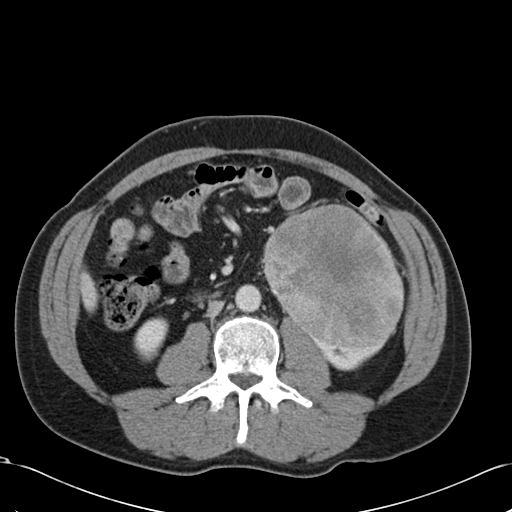
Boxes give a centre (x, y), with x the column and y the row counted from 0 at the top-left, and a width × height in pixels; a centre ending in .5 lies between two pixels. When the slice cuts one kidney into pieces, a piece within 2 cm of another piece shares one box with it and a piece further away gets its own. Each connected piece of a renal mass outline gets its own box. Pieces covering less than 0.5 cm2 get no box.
This is axial slice 56 of 99 (slice 1 is the lowest) of an arterial-phase abdominal CT with contrast; each pixel is 0.693 mm and the slice is 5.00 mm thick. Boxed on this slice (two kidney boxes and one renal mass box), listed by box centre from the image's left to its right: (1) Right kidney, box centre (151, 339), 35 × 45 pixels (outlined area 1,100 px, about 5.3 cm2). (2) Left renal mass in a box with centre (333.5, 275.5), 142 × 144 pixels (outlined area 15,355 px, about 73.8 cm2). (3) Box centre (345, 352.5), 77 × 36 pixels: left kidney (outlined area 1,132 px, about 5.4 cm2).
Scan settings: 120 kVp, B30f reconstruction kernel.